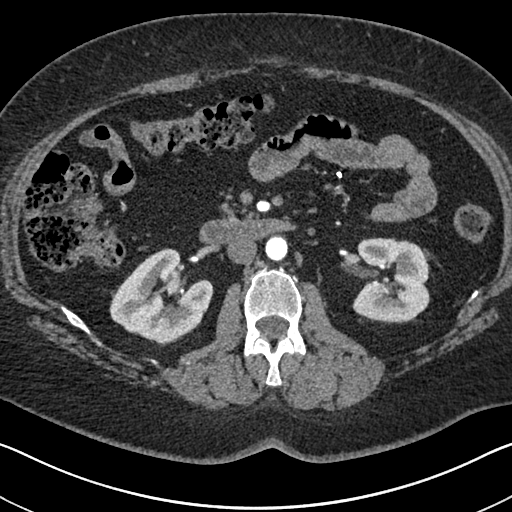
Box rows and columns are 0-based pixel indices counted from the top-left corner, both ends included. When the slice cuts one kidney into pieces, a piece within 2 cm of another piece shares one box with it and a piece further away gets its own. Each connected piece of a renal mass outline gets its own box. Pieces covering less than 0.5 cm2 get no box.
Arterial-phase contrast-enhanced abdominal CT, axial slice 386 of 591 (counted from the lowest slice); 1.00 mm thick, 0.703 mm per pixel. Two boxes on this slice (two kidney boxes), listed by box centre from the image's left to its right. (1) Right kidney at rows 248–341, columns 109–212 (outlined area 6,315 px, about 31.2 cm2). (2) Box rows 237–322, columns 351–429: left kidney (outlined area 5,416 px, about 26.8 cm2). No renal mass outline on this slice.
Acquired at 140 kVp and reconstructed with the I30f kernel.